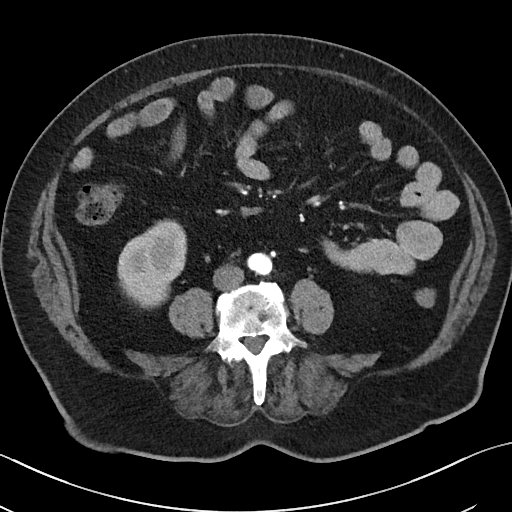
One axial slice (9 of 50, counting up from the lowest) of a contrast-enhanced abdominal CT acquired with 100 kVp, kernel I40f; each pixel is 0.723 mm and the slice is 5.00 mm thick.
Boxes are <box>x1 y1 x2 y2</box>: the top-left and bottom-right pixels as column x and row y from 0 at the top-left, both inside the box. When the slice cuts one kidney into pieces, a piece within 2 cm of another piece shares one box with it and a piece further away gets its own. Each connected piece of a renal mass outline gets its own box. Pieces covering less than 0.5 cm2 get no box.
At <box>117 220 186 309</box>: right kidney (outlined area 4,417 px, about 23.1 cm2). This slice carries no renal mass outline.